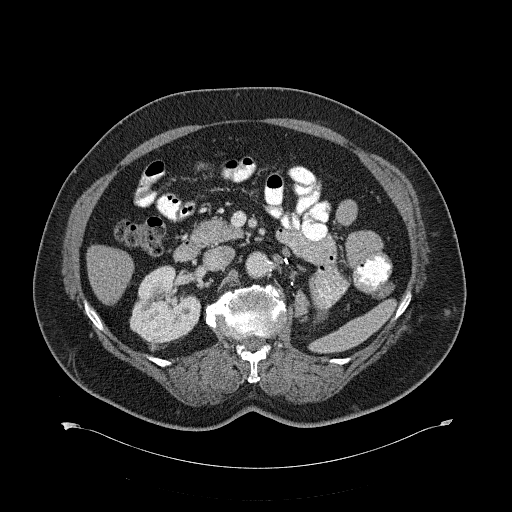
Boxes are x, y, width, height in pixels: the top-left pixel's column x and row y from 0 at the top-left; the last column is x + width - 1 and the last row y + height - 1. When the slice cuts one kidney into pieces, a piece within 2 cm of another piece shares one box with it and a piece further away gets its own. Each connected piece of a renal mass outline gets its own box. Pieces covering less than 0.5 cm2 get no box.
Contrast-enhanced abdominal CT, axial slice 374 of 734 (counted from the lowest slice); 2.00 mm thick, 0.971 mm per pixel. Right kidney, box x 129, y 265, width 73, height 80 (outlined area 4,017 px, about 37.9 cm2). No renal mass outline on this slice.
Scan settings: 120 kVp, B31f reconstruction kernel.